Axial slice 44 of 69 of a contrast-enhanced abdominal CT in the arterial phase (slice 1 is the lowest), 120 kVp, kernel STANDARD; 2.50 mm slice thickness and 0.846 mm pixels.
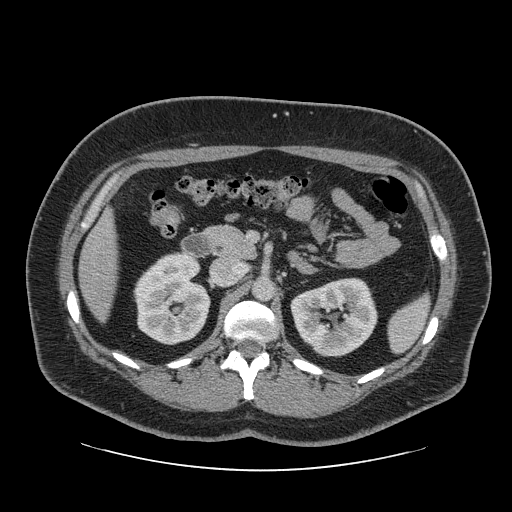
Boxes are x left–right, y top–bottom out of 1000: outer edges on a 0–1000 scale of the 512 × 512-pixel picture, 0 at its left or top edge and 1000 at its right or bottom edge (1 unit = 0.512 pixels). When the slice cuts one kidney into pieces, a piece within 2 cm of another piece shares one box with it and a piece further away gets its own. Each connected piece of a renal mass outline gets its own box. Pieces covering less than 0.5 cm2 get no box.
Two kidney boxes on this slice; by box centre, from the image's left to its right: (1) Box x 260–412, y 492–674 out of 1000: right kidney (outlined area 5,450 px, about 39.0 cm2). (2) Box x 566–738, y 541–697 out of 1000: left kidney (outlined area 5,194 px, about 37.1 cm2). This slice carries no renal mass outline.